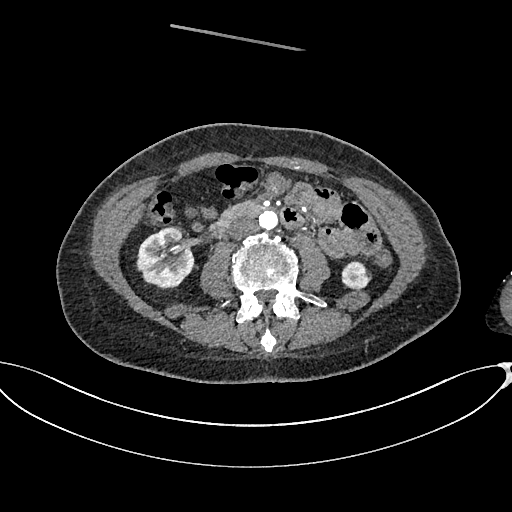
Abdominal CT with intravenous contrast, arterial phase, axial plane, 100 kVp, kernel I26f. Slice 317/665 from the bottom of the scan; thickness 1.00 mm; pixel size 0.828 mm.
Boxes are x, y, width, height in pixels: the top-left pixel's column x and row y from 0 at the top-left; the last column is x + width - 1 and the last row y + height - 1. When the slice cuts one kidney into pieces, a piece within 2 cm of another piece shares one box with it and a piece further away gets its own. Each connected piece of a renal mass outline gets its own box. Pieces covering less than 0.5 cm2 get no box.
Two boxes on this slice (two kidney boxes), listed by box centre from the image's left to its right. (1) Right kidney at x 136, y 227, width 58, height 63 (outlined area 2,706 px, about 18.6 cm2). (2) Box x 341, y 260, width 31, height 30: left kidney (outlined area 675 px, about 4.6 cm2). This slice carries no renal mass outline.